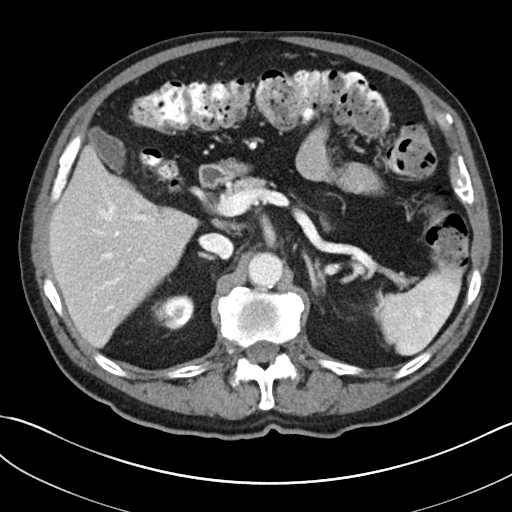
Axial slice 145 of 269 of a contrast-enhanced abdominal CT (slice 1 is the lowest), 100 kVp, kernel I30f; 5.00 mm slice thickness and 0.732 mm pixels.
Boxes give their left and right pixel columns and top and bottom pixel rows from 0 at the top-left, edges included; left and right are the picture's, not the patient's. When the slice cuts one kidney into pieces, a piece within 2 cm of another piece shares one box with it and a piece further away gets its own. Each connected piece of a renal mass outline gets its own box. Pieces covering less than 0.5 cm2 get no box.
Right kidney in the box with left 157, top 295, right 194, bottom 329 (outlined area 1,021 px, about 5.5 cm2). No renal mass is outlined on this slice.